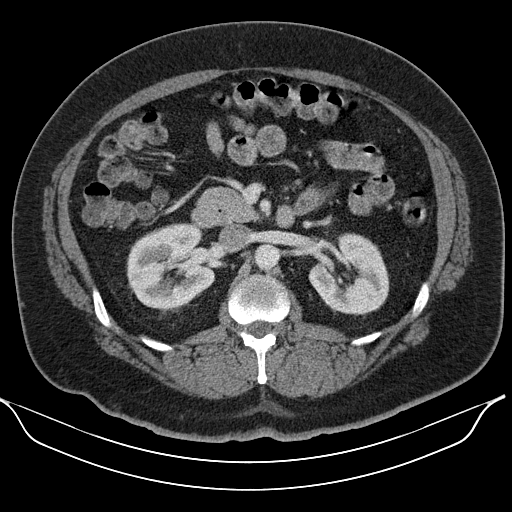
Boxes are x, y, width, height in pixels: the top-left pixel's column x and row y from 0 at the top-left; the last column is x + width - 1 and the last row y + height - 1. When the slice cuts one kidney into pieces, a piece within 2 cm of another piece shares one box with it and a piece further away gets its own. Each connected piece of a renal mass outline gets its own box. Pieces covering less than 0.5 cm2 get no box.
Slice 71/110 of a contrast-enhanced abdominal CT in the arterial phase, counting up from the lowest; pixel size 0.836 mm, slice thickness 5.00 mm. Boxed on this slice (two kidney boxes), listed by box centre from the image's left to its right: (1) Right kidney at x 126, y 223, width 90, height 87 (outlined area 5,933 px, about 41.5 cm2). (2) Left kidney, box x 308, y 233, width 82, height 82 (outlined area 4,764 px, about 33.3 cm2). No renal mass outline on this slice.
Tube voltage 130 kVp; convolution kernel B30s.